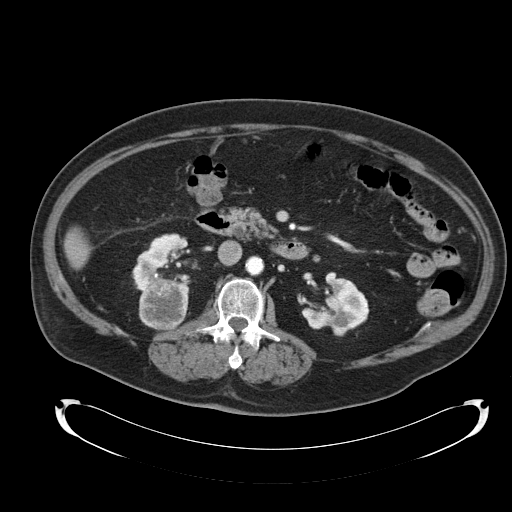
Contrast-enhanced abdominal CT, axial slice 61 of 92 (counted from the lowest slice); tube voltage 120 kVp, convolution kernel B30f; slices 5.00 mm thick, 0.918 mm per pixel.
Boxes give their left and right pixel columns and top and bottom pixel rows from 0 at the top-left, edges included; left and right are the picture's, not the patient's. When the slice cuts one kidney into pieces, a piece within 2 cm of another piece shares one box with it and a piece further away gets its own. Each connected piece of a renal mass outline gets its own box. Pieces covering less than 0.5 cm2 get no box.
Boxed on this slice (two kidney boxes and one renal mass box), listed by box centre from the image's left to its right: (1) Box with left 131, top 233, right 190, bottom 291: right kidney (outlined area 2,135 px, about 18.0 cm2). (2) Box with left 138, top 277, right 189, bottom 329: right renal mass (outlined area 2,052 px, about 17.3 cm2). (3) Left kidney in the box with left 301, top 272, right 366, bottom 336 (outlined area 2,591 px, about 21.8 cm2).